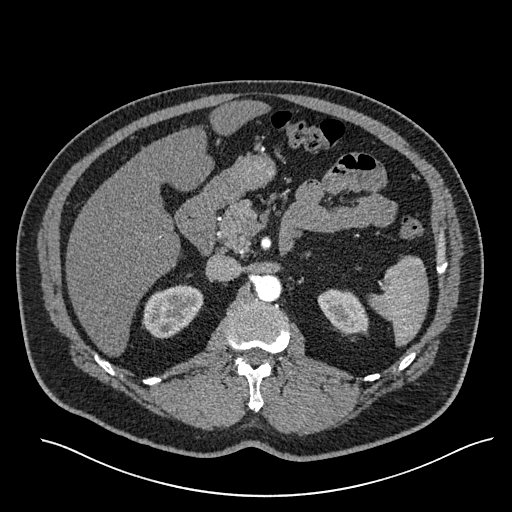
Axial slice 381 of 527 of a contrast-enhanced abdominal CT in the arterial phase (slice 1 is the lowest), 120 kVp, kernel I30f; 1.00 mm slice thickness and 0.859 mm pixels.
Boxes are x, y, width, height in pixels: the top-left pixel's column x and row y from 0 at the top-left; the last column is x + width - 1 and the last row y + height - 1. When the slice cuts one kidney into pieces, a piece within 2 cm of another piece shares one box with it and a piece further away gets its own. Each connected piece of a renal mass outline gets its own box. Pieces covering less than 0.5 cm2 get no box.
Two boxes on this slice (two kidney boxes), listed by box centre from the image's left to its right. (1) Right kidney, box x 142, y 284, width 62, height 55 (outlined area 2,402 px, about 17.7 cm2). (2) Left kidney at x 317, y 289, width 52, height 45 (outlined area 1,656 px, about 12.2 cm2). This slice carries no renal mass outline.